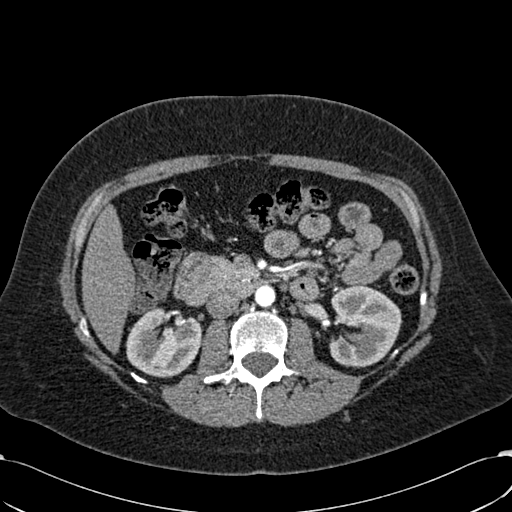
Abdominal CT with intravenous contrast, arterial phase, axial plane, 120 kVp, kernel B30f. Slice 351/532 from the bottom of the scan; thickness 1.00 mm; pixel size 0.713 mm.
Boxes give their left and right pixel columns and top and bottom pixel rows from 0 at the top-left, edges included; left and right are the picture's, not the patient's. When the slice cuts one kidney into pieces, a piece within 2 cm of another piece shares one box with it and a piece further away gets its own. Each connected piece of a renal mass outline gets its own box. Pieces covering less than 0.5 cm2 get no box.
Two boxes on this slice (two kidney boxes), listed by box centre from the image's left to its right. (1) Right kidney, the box with left 126, top 307, right 201, bottom 377 (outlined area 4,032 px, about 20.5 cm2). (2) Left kidney in the box with left 329, top 285, right 401, bottom 367 (outlined area 4,585 px, about 23.3 cm2). No renal mass is outlined on this slice.